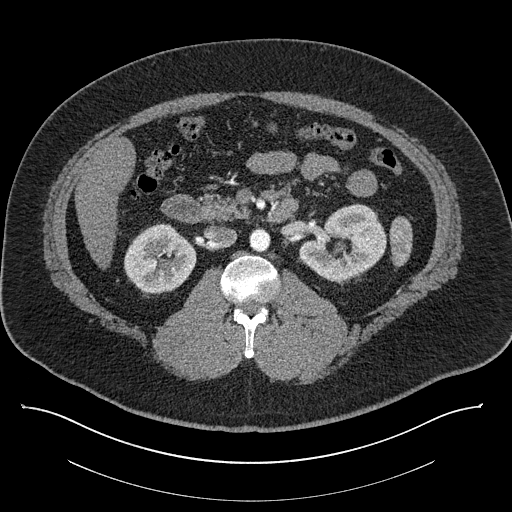
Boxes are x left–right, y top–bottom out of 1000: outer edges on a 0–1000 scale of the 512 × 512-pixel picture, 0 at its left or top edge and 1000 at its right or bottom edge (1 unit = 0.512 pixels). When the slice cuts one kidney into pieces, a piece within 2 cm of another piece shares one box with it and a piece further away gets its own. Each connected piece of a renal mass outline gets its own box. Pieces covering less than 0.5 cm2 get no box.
Slice 493/787 of a contrast-enhanced abdominal CT, counting up from the lowest; pixel size 0.910 mm, slice thickness 1.00 mm. Two kidney boxes on this slice; by box centre, from the image's left to its right: (1) Box x 242–385, y 438–576 out of 1000: right kidney (outlined area 3,866 px, about 32.0 cm2). (2) Box x 584–756, y 396–553 out of 1000: left kidney (outlined area 4,776 px, about 39.6 cm2). This slice carries no renal mass outline.
Scan settings: 140 kVp, I30f reconstruction kernel.